Abdominal CT with intravenous contrast, axial plane, 120 kVp, kernel FC18. Slice 75/103 from the bottom of the scan; thickness 3.00 mm; pixel size 0.714 mm.
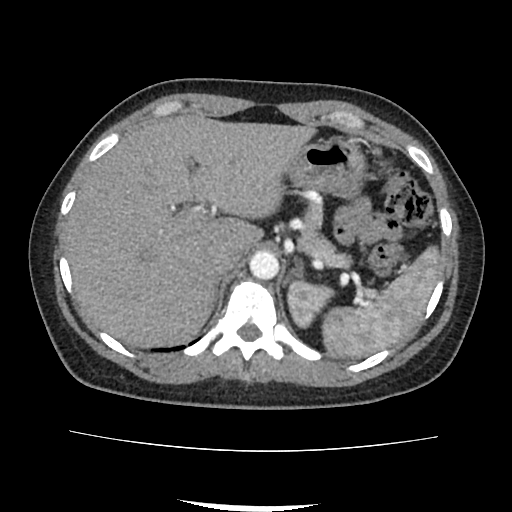
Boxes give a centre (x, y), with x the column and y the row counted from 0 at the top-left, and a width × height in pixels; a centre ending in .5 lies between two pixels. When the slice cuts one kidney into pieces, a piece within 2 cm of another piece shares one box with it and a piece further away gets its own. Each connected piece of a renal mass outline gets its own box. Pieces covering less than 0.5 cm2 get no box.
Left kidney in a box with centre (310.5, 303.5), 50 × 50 pixels (outlined area 1,609 px, about 8.2 cm2). No renal mass is outlined on this slice.